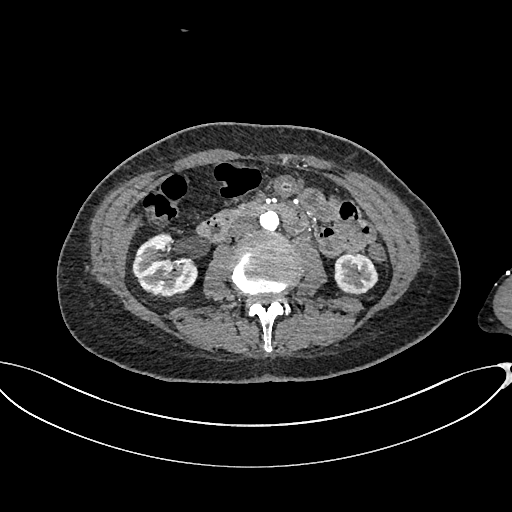
Abdominal CT with intravenous contrast, arterial phase, axial plane, 100 kVp, kernel I26f. Slice 339/665 from the bottom of the scan; thickness 1.00 mm; pixel size 0.828 mm.
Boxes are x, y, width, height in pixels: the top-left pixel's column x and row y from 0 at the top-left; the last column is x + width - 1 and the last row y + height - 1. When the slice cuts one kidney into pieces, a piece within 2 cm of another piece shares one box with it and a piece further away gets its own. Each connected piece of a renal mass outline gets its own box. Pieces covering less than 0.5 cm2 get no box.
Boxed on this slice (two kidney boxes), listed by box centre from the image's left to its right: (1) Right kidney at x 132, y 232, width 66, height 67 (outlined area 3,066 px, about 21.0 cm2). (2) Left kidney, box x 334, y 253, width 45, height 43 (outlined area 1,496 px, about 10.3 cm2). No renal mass outline on this slice.